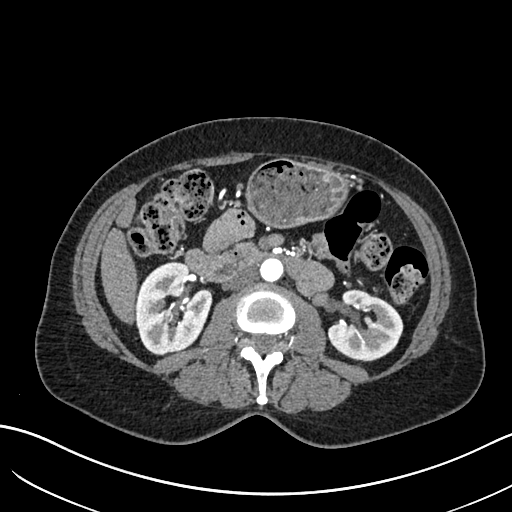
One axial slice (352 of 683, counting up from the lowest) of an arterial-phase abdominal CT acquired with 120 kVp, kernel I30f; each pixel is 0.738 mm and the slice is 1.00 mm thick.
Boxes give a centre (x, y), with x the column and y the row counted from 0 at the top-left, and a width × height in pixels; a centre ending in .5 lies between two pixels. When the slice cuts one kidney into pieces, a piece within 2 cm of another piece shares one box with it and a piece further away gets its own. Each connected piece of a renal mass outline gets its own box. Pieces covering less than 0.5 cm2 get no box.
Two kidney boxes on this slice; by box centre, from the image's left to its right: (1) Right kidney in a box with centre (173, 307.5), 79 × 94 pixels (outlined area 5,378 px, about 29.3 cm2). (2) Left kidney, box centre (365.5, 325), 76 × 73 pixels (outlined area 3,793 px, about 20.7 cm2). No renal mass outline on this slice.